Abdominal CT with intravenous contrast, arterial phase, axial plane, 120 kVp, kernel I26f. Slice 592/987 from the bottom of the scan; thickness 1.00 mm; pixel size 0.977 mm.
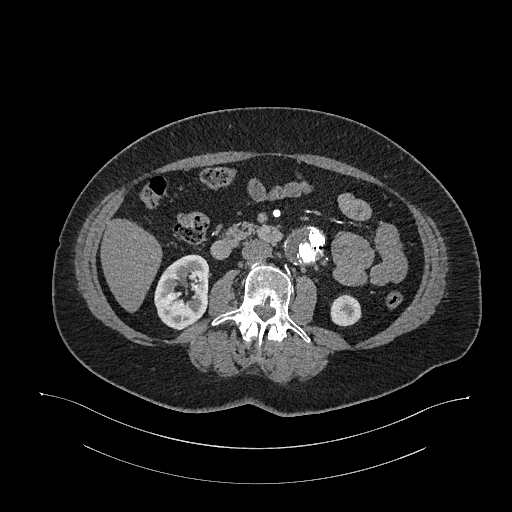
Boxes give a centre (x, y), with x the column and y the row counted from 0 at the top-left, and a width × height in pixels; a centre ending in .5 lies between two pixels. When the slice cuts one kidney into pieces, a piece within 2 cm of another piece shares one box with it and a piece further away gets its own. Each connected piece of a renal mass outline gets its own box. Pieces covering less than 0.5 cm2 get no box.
Two kidney boxes on this slice; by box centre, from the image's left to its right: (1) Right kidney, box centre (181.5, 292), 56 × 77 pixels (outlined area 3,147 px, about 30.0 cm2). (2) Left kidney, box centre (345.5, 310), 32 × 33 pixels (outlined area 818 px, about 7.8 cm2). No renal mass is outlined on this slice.